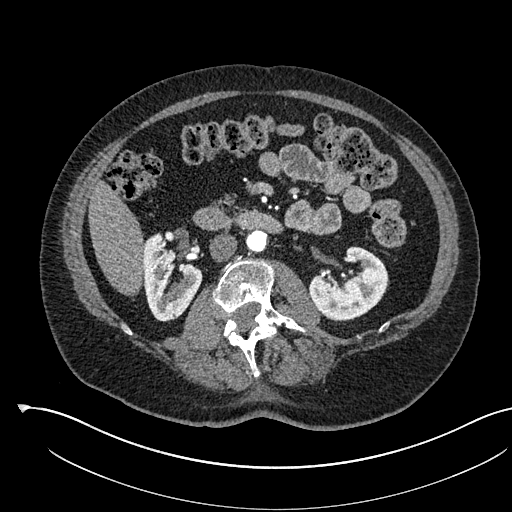
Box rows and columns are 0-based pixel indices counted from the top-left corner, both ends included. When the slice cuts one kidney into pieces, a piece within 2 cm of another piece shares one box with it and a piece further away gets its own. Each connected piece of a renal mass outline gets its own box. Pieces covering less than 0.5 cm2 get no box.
Arterial-phase contrast-enhanced abdominal CT, axial slice 298 of 541 (counted from the lowest slice); 1.00 mm thick, 0.834 mm per pixel. Two boxes on this slice (two kidney boxes), listed by box centre from the image's left to its right. (1) Right kidney at rows 232–321, columns 143–202 (outlined area 3,545 px, about 24.7 cm2). (2) Left kidney at rows 246–319, columns 308–388 (outlined area 3,964 px, about 27.6 cm2). No renal mass is outlined on this slice.
Tube voltage 120 kVp; convolution kernel I30f.